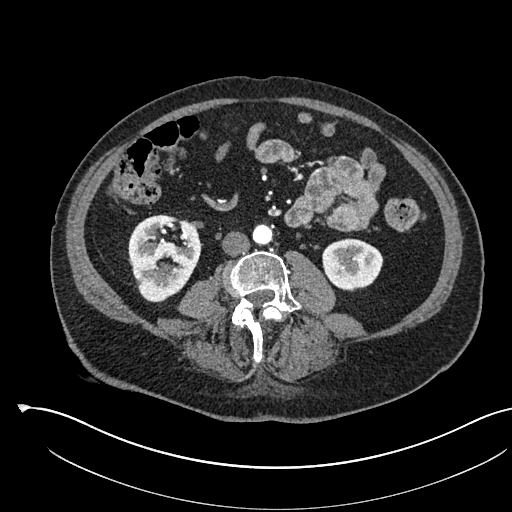
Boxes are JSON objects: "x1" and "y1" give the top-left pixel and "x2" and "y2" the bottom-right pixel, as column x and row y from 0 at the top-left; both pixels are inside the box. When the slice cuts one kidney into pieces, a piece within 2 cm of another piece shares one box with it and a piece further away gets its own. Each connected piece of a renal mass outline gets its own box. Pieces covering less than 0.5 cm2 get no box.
Arterial-phase contrast-enhanced abdominal CT, axial slice 246 of 541 (counted from the lowest slice); 1.00 mm thick, 0.834 mm per pixel. Two boxes on this slice (two kidney boxes), listed by box centre from the image's left to its right. (1) Box {"x1": 128, "y1": 214, "x2": 200, "y2": 301}: right kidney (outlined area 4,733 px, about 32.9 cm2). (2) Left kidney, box {"x1": 322, "y1": 238, "x2": 383, "y2": 291} (outlined area 2,527 px, about 17.6 cm2). This slice carries no renal mass outline.
Acquired at 120 kVp and reconstructed with the I30f kernel.